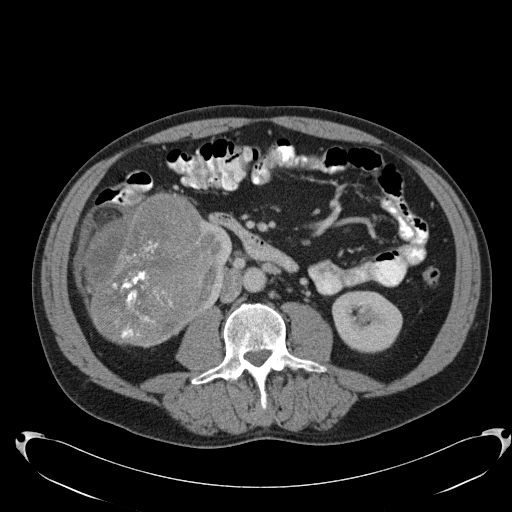
Abdominal CT with intravenous contrast, axial plane, 120 kVp, kernel B31f. Slice 57/103 from the bottom of the scan; thickness 5.00 mm; pixel size 0.801 mm.
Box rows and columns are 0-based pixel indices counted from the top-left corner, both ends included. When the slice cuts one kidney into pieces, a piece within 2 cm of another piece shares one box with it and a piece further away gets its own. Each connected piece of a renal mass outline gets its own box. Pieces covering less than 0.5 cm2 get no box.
Three boxes on this slice (two kidney boxes and one renal mass box), listed by box centre from the image's left to its right. (1) Right renal mass, box rows 191–347, columns 81–210 (outlined area 15,390 px, about 98.7 cm2). (2) Right kidney, box rows 217–314, columns 198–232 (outlined area 1,627 px, about 10.4 cm2). (3) Box rows 290–353, columns 331–402: left kidney (outlined area 3,477 px, about 22.3 cm2).